Arterial-phase contrast-enhanced abdominal CT, axial slice 389 of 602 (counted from the lowest slice); tube voltage 120 kVp, convolution kernel I30f; slices 1.00 mm thick, 0.799 mm per pixel.
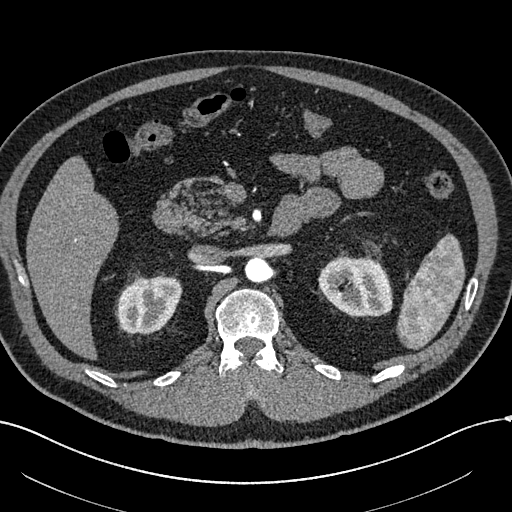
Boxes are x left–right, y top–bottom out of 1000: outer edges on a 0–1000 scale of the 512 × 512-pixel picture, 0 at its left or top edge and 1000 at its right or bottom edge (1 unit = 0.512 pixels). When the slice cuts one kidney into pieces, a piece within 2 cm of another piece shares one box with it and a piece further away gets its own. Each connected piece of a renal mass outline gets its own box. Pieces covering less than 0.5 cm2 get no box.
Two kidney boxes on this slice; by box centre, from the image's left to its right: (1) Right kidney at x 229–357, y 537–652 out of 1000 (outlined area 2,982 px, about 19.0 cm2). (2) Box x 621–768, y 500–619 out of 1000: left kidney (outlined area 3,578 px, about 22.8 cm2). No renal mass outline on this slice.